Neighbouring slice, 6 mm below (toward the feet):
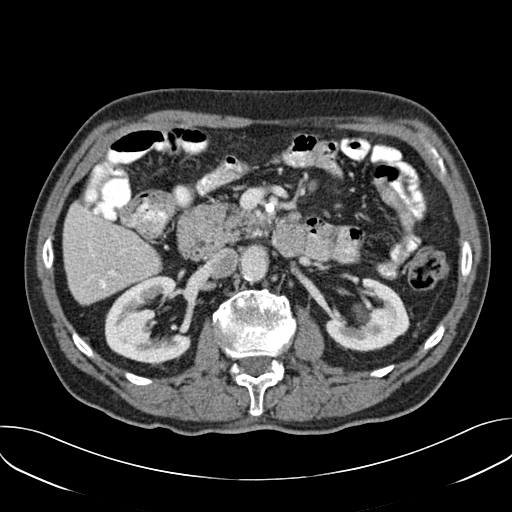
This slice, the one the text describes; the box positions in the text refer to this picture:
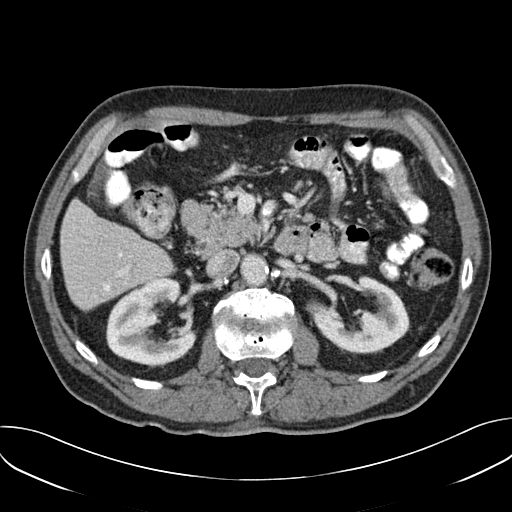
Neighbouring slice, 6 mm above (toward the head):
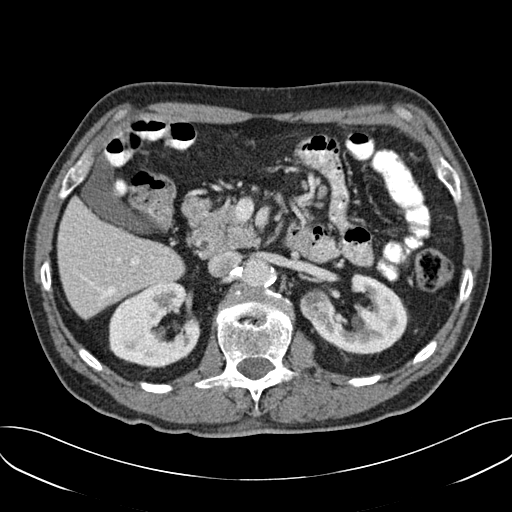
One axial slice (106 of 157, counting up from the lowest) of an arterial-phase abdominal CT acquired with 120 kVp, kernel B30f; each pixel is 0.742 mm and the slice is 3.00 mm thick.
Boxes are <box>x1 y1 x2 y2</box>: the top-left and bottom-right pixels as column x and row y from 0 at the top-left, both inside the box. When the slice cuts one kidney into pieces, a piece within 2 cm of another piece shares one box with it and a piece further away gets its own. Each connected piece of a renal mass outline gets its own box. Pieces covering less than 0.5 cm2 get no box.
Two kidney boxes and one renal mass box on this slice; by box centre, from the image's left to its right: (1) Right kidney at <box>106 276 196 367</box> (outlined area 5,574 px, about 30.7 cm2). (2) Left renal mass: <box>306 298 322 314</box> (outlined area 200 px, about 1.1 cm2). (3) Left kidney: <box>311 275 409 353</box> (outlined area 4,479 px, about 24.7 cm2). This slice lies near the end of the left renal mass toward the feet; the slices 6 mm below and 6 mm above it are shown too, and the boxes mark positions on this slice only.